Abdominal CT with intravenous contrast, arterial phase, axial plane, 140 kVp, kernel B30f. Slice 108/159 from the bottom of the scan; thickness 3.00 mm; pixel size 0.977 mm.
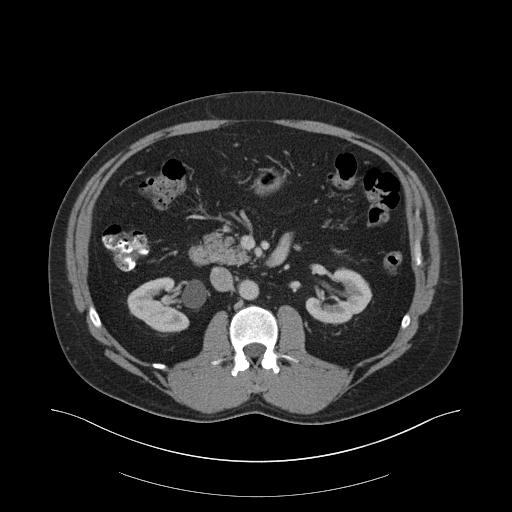
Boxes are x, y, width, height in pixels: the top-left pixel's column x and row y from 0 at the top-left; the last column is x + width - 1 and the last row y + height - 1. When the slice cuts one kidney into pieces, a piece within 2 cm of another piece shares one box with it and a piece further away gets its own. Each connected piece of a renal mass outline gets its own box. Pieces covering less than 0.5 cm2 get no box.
Boxed on this slice (two kidney boxes), listed by box centre from the image's left to its right: (1) Box x 127, y 277, width 63, height 56: right kidney (outlined area 2,400 px, about 22.9 cm2). (2) Left kidney at x 305, y 267, width 68, height 57 (outlined area 2,398 px, about 22.9 cm2). No renal mass outline on this slice.